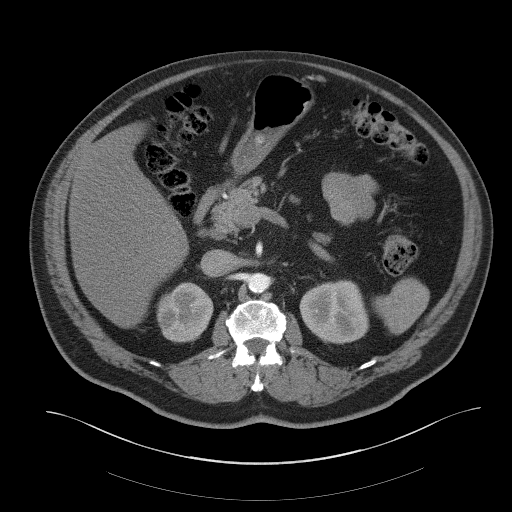
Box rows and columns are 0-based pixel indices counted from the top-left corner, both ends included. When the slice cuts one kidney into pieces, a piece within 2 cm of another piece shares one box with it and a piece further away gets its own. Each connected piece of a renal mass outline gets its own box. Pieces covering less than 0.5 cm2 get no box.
Contrast-enhanced abdominal CT, axial slice 34 of 61 (counted from the lowest slice); 3.00 mm thick, 0.939 mm per pixel. Boxed on this slice (two kidney boxes), listed by box centre from the image's left to its right: (1) Right kidney at rows 282–342, columns 156–213 (outlined area 2,638 px, about 23.3 cm2). (2) Box rows 279–344, columns 299–369: left kidney (outlined area 3,488 px, about 30.8 cm2). No renal mass outline on this slice.
Tube voltage 140 kVp; convolution kernel B41f.